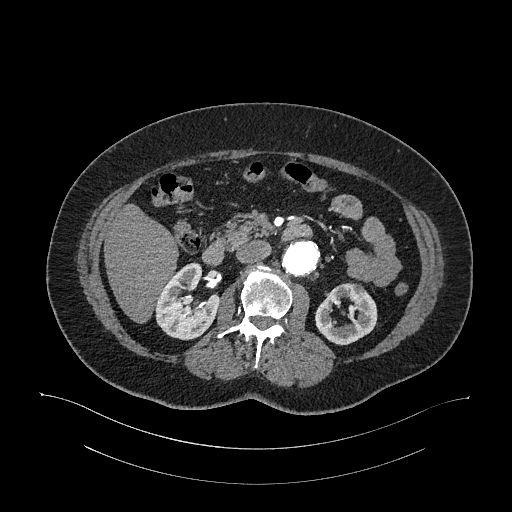
One axial slice (644 of 987, counting up from the lowest) of an arterial-phase abdominal CT acquired with 120 kVp, kernel I26f; each pixel is 0.977 mm and the slice is 1.00 mm thick.
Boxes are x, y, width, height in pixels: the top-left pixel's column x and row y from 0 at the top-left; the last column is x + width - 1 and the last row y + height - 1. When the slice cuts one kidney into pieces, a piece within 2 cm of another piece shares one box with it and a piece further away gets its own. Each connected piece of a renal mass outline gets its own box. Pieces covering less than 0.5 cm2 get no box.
Two kidney boxes on this slice; by box centre, from the image's left to its right: (1) Box x 155, y 262, width 64, height 79: right kidney (outlined area 3,358 px, about 32.0 cm2). (2) Left kidney at x 315, y 282, width 63, height 63 (outlined area 2,653 px, about 25.3 cm2). No renal mass is outlined on this slice.